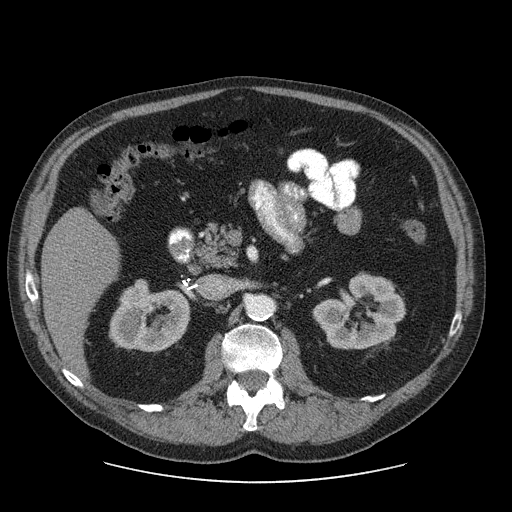
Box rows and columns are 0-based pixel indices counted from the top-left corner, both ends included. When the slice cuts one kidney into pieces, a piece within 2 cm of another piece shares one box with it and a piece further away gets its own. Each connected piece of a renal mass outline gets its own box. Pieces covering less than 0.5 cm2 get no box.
Contrast-enhanced abdominal CT, axial slice 46 of 103 (counted from the lowest slice); 2.50 mm thick, 0.820 mm per pixel. Two boxes on this slice (two kidney boxes), listed by box centre from the image's left to its right. (1) Box rows 279–352, columns 108–190: right kidney (outlined area 4,271 px, about 28.7 cm2). (2) Left kidney at rows 275–349, columns 312–405 (outlined area 4,759 px, about 32.0 cm2). No renal mass is outlined on this slice.
Scan settings: 120 kVp, STANDARD reconstruction kernel.